Abdominal CT with intravenous contrast, arterial phase, axial plane, 120 kVp, kernel I30f. Slice 453/626 from the bottom of the scan; thickness 1.00 mm; pixel size 0.703 mm.
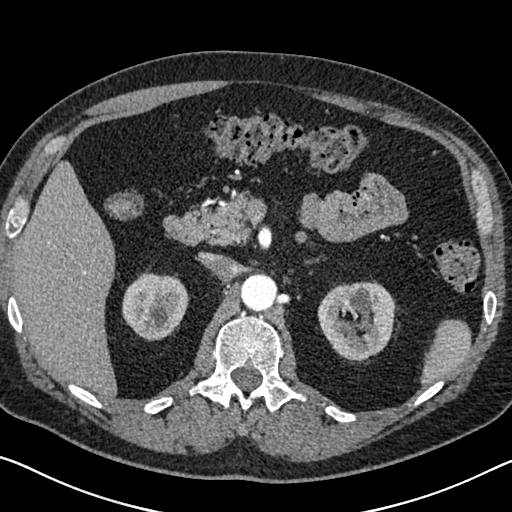
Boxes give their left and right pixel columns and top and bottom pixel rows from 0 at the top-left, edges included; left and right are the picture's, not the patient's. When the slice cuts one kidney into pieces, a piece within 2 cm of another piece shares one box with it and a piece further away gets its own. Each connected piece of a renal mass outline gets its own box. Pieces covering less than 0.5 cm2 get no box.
Boxed on this slice (two kidney boxes), listed by box centre from the image's left to its right: (1) Right kidney in the box with left 122, top 271, right 188, bottom 339 (outlined area 3,488 px, about 17.2 cm2). (2) Box with left 317, top 280, right 395, bottom 361: left kidney (outlined area 4,775 px, about 23.6 cm2). No renal mass outline on this slice.